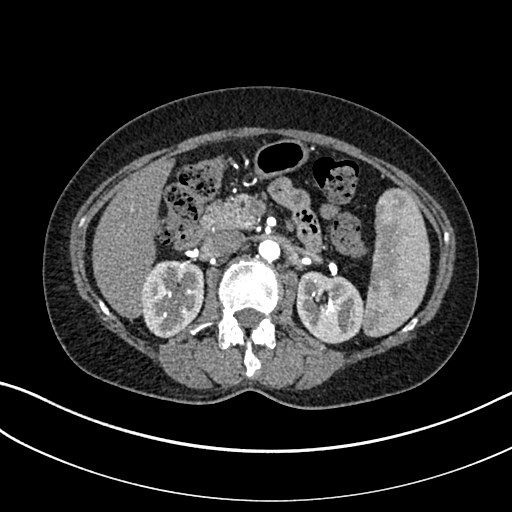
Arterial-phase contrast-enhanced abdominal CT, axial slice 182 of 325 (counted from the lowest slice); tube voltage 100 kVp, convolution kernel I30f; slices 1.00 mm thick, 0.703 mm per pixel.
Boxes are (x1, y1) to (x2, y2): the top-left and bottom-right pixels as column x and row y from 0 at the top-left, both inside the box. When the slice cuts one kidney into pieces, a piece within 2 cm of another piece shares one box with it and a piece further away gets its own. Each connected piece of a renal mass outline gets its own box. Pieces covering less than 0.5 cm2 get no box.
Two kidney boxes on this slice; by box centre, from the image's left to its right: (1) Box (141, 260) to (204, 338): right kidney (outlined area 3,977 px, about 19.7 cm2). (2) Left kidney, box (296, 271) to (364, 344) (outlined area 3,875 px, about 19.2 cm2). This slice carries no renal mass outline.